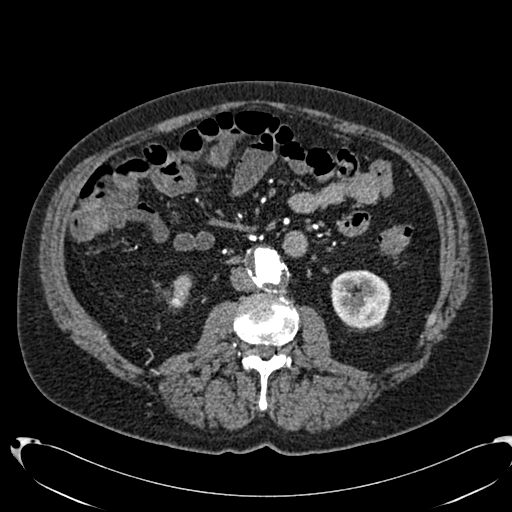
One axial slice (353 of 553, counting up from the lowest) of an arterial-phase abdominal CT acquired with 120 kVp, kernel B20f; each pixel is 0.773 mm and the slice is 1.00 mm thick.
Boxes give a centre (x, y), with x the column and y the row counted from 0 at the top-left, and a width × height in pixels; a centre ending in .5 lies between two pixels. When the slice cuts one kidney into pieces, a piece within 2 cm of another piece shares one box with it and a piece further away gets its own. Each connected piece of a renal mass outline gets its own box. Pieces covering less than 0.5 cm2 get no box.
Two boxes on this slice (two kidney boxes), listed by box centre from the image's left to its right. (1) Right kidney, box centre (179, 291.5), 25 × 34 pixels (outlined area 576 px, about 3.4 cm2). (2) Left kidney in a box with centre (360.5, 298.5), 60 × 58 pixels (outlined area 2,816 px, about 16.8 cm2). No renal mass outline on this slice.